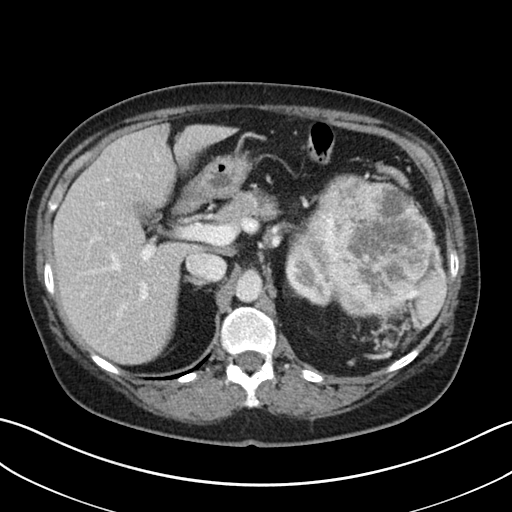
Axial slice 28 of 38 of a contrast-enhanced abdominal CT (slice 1 is the lowest), 100 kVp, kernel I30f; 5.00 mm slice thickness and 0.730 mm pixels.
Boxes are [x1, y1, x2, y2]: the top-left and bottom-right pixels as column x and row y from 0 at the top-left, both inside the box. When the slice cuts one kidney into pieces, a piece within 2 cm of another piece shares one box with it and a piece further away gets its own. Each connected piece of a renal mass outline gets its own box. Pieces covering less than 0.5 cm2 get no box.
One kidney box and one renal mass box on this slice; by box centre, from the image's left to its right: (1) Left kidney at [285, 227, 334, 305] (outlined area 2,250 px, about 12.0 cm2). (2) Left renal mass, box [303, 175, 432, 315] (outlined area 13,017 px, about 69.5 cm2).